Arterial-phase contrast-enhanced abdominal CT, axial slice 237 of 389 (counted from the lowest slice); tube voltage 120 kVp, convolution kernel STANDARD; slices 1.25 mm thick, 0.869 mm per pixel.
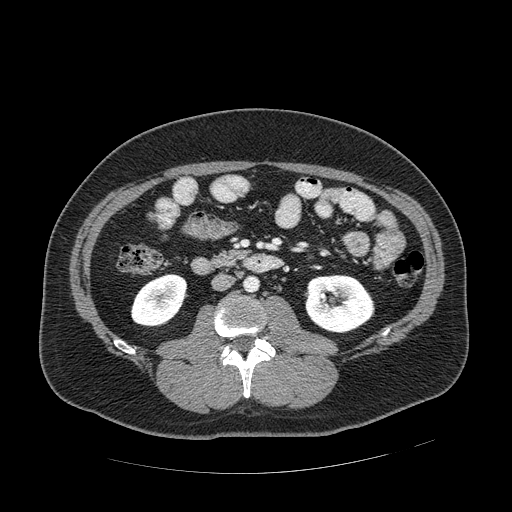
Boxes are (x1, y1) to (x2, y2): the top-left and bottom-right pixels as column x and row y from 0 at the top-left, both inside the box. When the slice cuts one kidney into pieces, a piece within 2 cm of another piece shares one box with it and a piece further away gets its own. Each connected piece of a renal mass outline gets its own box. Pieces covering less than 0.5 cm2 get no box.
Boxed on this slice (two kidney boxes), listed by box centre from the image's left to its right: (1) Right kidney, box (131, 273) to (187, 326) (outlined area 2,229 px, about 16.8 cm2). (2) Left kidney, box (305, 274) to (374, 333) (outlined area 3,273 px, about 24.7 cm2). No renal mass outline on this slice.